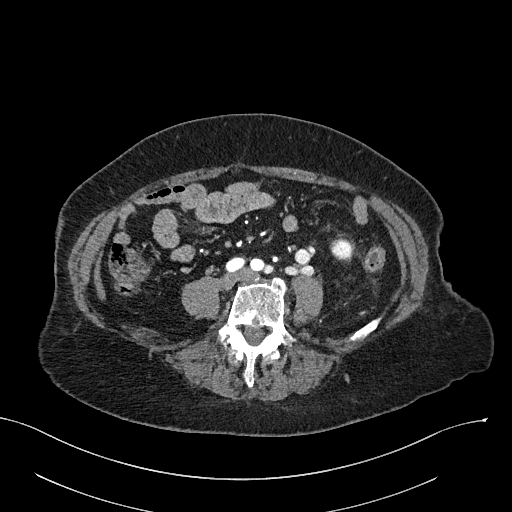
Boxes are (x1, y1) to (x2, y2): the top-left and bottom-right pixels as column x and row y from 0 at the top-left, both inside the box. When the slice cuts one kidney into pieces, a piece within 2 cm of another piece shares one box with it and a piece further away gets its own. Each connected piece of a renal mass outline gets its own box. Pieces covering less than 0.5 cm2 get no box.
Arterial-phase contrast-enhanced abdominal CT, axial slice 67 of 316 (counted from the lowest slice); 2.00 mm thick, 0.840 mm per pixel. Left kidney, box (334, 243) to (348, 257) (outlined area 186 px, about 1.3 cm2). No renal mass is outlined on this slice.
Scan settings: 100 kVp, I40f reconstruction kernel.